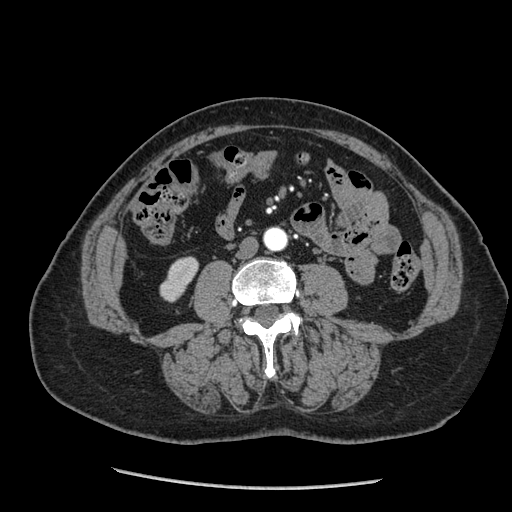
One axial slice (85 of 233, counting up from the lowest) of an arterial-phase abdominal CT acquired with 120 kVp, kernel STANDARD; each pixel is 0.703 mm and the slice is 1.25 mm thick.
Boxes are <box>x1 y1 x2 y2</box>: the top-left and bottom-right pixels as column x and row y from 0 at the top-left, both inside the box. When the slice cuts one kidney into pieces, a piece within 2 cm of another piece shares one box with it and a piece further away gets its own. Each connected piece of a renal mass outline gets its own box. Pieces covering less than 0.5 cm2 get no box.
Right kidney at <box>159 256 199 302</box> (outlined area 1,145 px, about 5.7 cm2). This slice carries no renal mass outline.